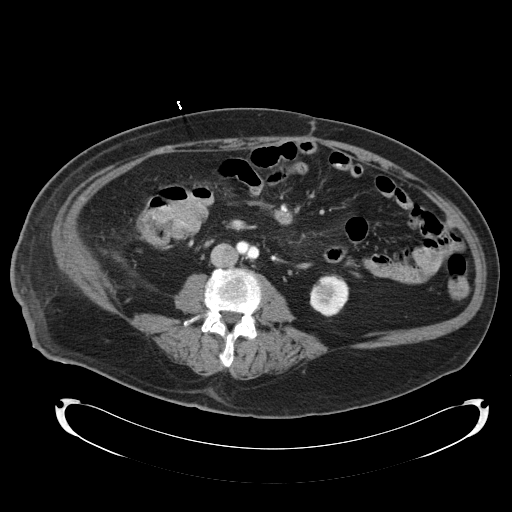
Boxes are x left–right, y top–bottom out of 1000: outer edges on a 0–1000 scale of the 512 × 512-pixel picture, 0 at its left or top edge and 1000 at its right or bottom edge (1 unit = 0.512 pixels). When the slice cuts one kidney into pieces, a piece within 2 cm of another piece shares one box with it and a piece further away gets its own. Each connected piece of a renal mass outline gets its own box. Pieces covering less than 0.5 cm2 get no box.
This is axial slice 49 of 92 (slice 1 is the lowest) of an abdominal CT with contrast; each pixel is 0.918 mm and the slice is 5.00 mm thick. Box x 604–684, y 535–619 out of 1000: left kidney (outlined area 1,295 px, about 10.9 cm2). This slice carries no renal mass outline.
Scan settings: 120 kVp, B30f reconstruction kernel.